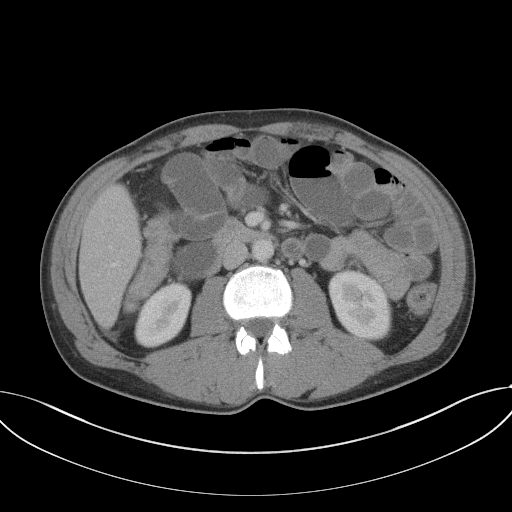
Axial slice 60 of 102 of a contrast-enhanced abdominal CT (slice 1 is the lowest), 120 kVp, kernel B41f; 5.00 mm slice thickness and 0.807 mm pixels.
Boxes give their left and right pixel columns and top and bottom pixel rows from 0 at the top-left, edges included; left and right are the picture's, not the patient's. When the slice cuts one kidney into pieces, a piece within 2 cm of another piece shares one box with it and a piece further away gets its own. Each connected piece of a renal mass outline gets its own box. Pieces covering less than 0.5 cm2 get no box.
Two kidney boxes on this slice; by box centre, from the image's left to its right: (1) Right kidney in the box with left 134, top 282, right 192, bottom 348 (outlined area 2,735 px, about 17.8 cm2). (2) Box with left 328, top 269, right 392, bottom 338: left kidney (outlined area 3,391 px, about 22.1 cm2). This slice carries no renal mass outline.